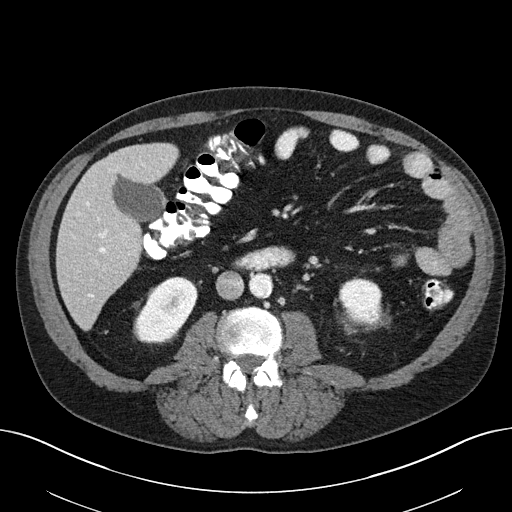
Axial slice 98 of 163 of a contrast-enhanced abdominal CT (slice 1 is the lowest), 100 kVp, kernel I40f; 3.00 mm slice thickness and 0.799 mm pixels.
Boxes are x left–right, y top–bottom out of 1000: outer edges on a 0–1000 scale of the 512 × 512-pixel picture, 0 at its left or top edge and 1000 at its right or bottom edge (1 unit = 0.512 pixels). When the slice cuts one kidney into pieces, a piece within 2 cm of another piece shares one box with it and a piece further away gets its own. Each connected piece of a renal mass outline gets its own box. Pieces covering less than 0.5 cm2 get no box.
Two boxes on this slice (two kidney boxes), listed by box centre from the image's left to its right. (1) Right kidney at x 260–387, y 541–672 out of 1000 (outlined area 2,929 px, about 18.7 cm2). (2) Left kidney, box x 660–758, y 543–643 out of 1000 (outlined area 1,862 px, about 11.9 cm2).